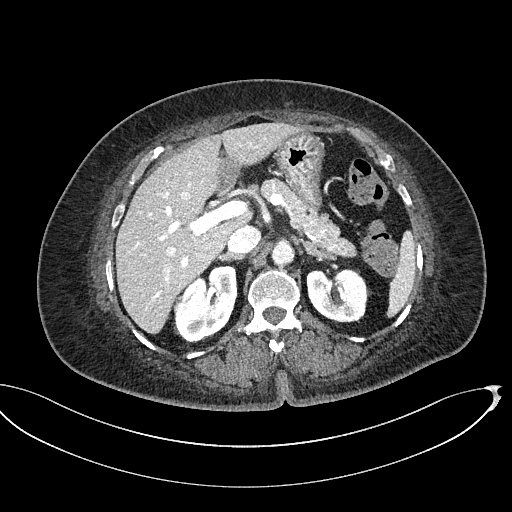
Abdominal CT with intravenous contrast, axial plane, 100 kVp, kernel I40f. Slice 334/439 from the bottom of the scan; thickness 2.00 mm; pixel size 0.850 mm.
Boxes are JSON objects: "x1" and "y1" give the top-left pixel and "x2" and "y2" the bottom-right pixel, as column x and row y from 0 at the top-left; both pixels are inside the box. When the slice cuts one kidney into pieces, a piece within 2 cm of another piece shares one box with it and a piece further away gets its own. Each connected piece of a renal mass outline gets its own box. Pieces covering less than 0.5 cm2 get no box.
Two boxes on this slice (two kidney boxes), listed by box centre from the image's left to its right. (1) Box {"x1": 173, "y1": 265, "x2": 237, "y2": 342}: right kidney (outlined area 3,557 px, about 25.7 cm2). (2) Box {"x1": 306, "y1": 268, "x2": 371, "y2": 322}: left kidney (outlined area 2,827 px, about 20.4 cm2). This slice carries no renal mass outline.